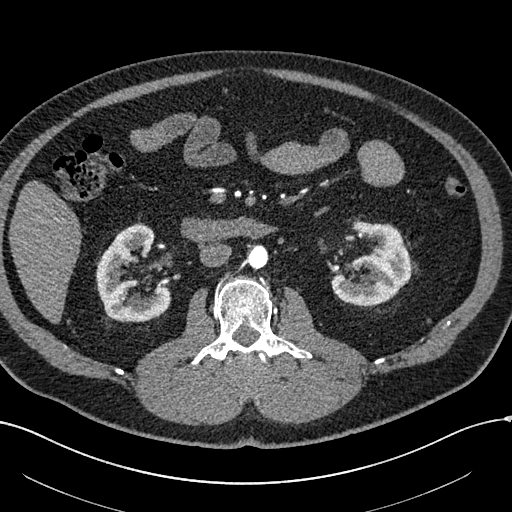
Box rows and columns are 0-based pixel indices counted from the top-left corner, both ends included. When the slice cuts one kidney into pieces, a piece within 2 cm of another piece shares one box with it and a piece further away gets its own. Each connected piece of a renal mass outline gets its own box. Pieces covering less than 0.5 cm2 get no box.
Arterial-phase contrast-enhanced abdominal CT, axial slice 305 of 602 (counted from the lowest slice); 1.00 mm thick, 0.799 mm per pixel. Two kidney boxes on this slice; by box centre, from the image's left to its right: (1) Right kidney at rows 224–321, columns 96–171 (outlined area 4,757 px, about 30.4 cm2). (2) Left kidney, box rows 220–306, columns 330–411 (outlined area 4,651 px, about 29.7 cm2). This slice carries no renal mass outline.
Tube voltage 120 kVp; convolution kernel I30f.